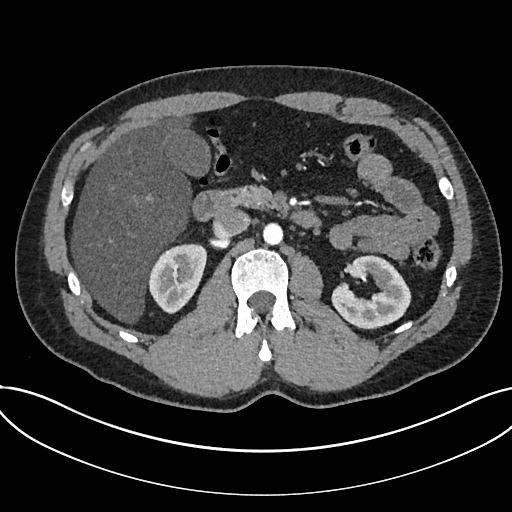
Arterial-phase contrast-enhanced abdominal CT, axial slice 435 of 735 (counted from the lowest slice); tube voltage 120 kVp, convolution kernel I30f; slices 1.00 mm thick, 0.789 mm per pixel.
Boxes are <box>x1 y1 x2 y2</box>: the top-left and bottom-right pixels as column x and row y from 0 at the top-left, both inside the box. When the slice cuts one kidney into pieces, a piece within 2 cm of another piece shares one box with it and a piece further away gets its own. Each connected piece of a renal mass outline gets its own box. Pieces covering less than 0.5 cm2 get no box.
Two boxes on this slice (two kidney boxes), listed by box centre from the image's left to its right. (1) At <box>147 243 207 313</box>: kidney (outlined area 3,003 px, about 18.7 cm2). (2) At <box>331 254 411 329</box>: kidney (outlined area 3,931 px, about 24.5 cm2). This slice carries no renal mass outline.